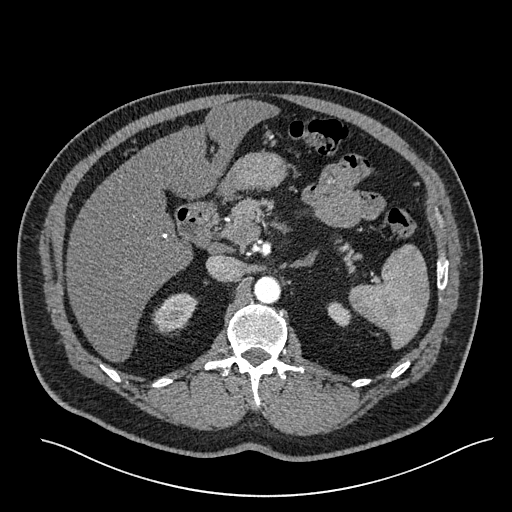
Axial slice 397 of 527 of a contrast-enhanced abdominal CT in the arterial phase (slice 1 is the lowest), 120 kVp, kernel I30f; 1.00 mm slice thickness and 0.859 mm pixels.
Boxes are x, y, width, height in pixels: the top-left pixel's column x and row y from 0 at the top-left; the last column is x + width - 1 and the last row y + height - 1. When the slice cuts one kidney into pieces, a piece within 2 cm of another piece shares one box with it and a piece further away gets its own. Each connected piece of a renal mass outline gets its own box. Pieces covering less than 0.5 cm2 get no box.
Two boxes on this slice (two kidney boxes), listed by box centre from the image's left to its right. (1) Box x 152, y 292, width 47, height 43: right kidney (outlined area 1,292 px, about 9.5 cm2). (2) Box x 326, y 301, width 26, height 26: left kidney (outlined area 429 px, about 3.2 cm2). No renal mass outline on this slice.